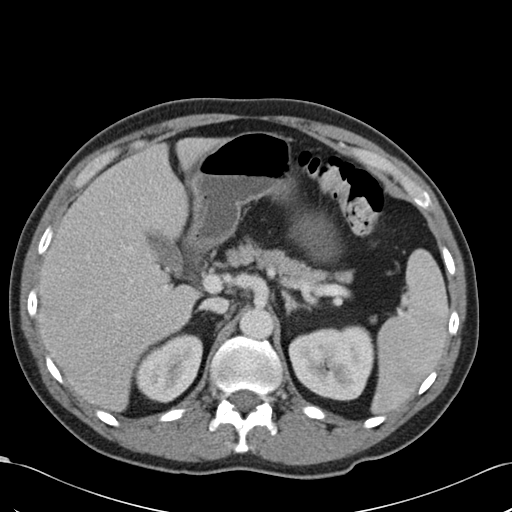
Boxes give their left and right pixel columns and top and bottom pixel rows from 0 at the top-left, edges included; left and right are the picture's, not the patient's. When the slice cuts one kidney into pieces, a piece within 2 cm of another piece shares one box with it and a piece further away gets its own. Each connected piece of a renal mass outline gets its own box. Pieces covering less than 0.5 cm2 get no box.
This is axial slice 74 of 99 (slice 1 is the lowest) of an arterial-phase abdominal CT with contrast; each pixel is 0.693 mm and the slice is 5.00 mm thick. Two boxes on this slice (two kidney boxes), listed by box centre from the image's left to its right. (1) Right kidney in the box with left 136, top 333, right 202, bottom 403 (outlined area 3,340 px, about 16.1 cm2). (2) Box with left 288, top 325, right 375, bottom 400: left kidney (outlined area 5,147 px, about 24.7 cm2). No renal mass outline on this slice.
Scan settings: 120 kVp, B30f reconstruction kernel.